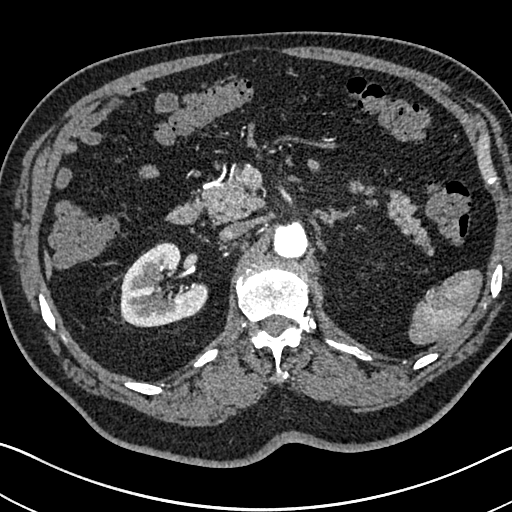
Axial slice 474 of 705 of a contrast-enhanced abdominal CT in the arterial phase (slice 1 is the lowest), 120 kVp, kernel I30f; 1.00 mm slice thickness and 0.703 mm pixels.
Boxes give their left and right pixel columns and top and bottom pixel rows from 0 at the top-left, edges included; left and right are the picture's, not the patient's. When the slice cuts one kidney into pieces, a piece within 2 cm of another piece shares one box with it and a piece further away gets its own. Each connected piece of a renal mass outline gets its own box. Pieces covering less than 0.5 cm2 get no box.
Right kidney, the box with left 120, top 242, right 208, bottom 327 (outlined area 5,157 px, about 25.5 cm2). No renal mass outline on this slice.